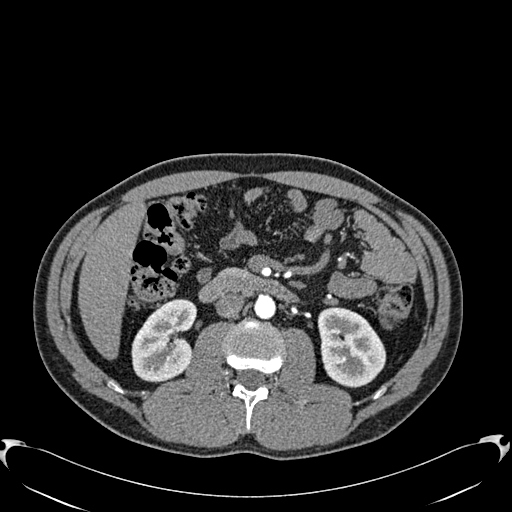
Arterial-phase contrast-enhanced abdominal CT, axial slice 329 of 512 (counted from the lowest slice); tube voltage 120 kVp, convolution kernel B30f; slices 1.00 mm thick, 0.771 mm per pixel.
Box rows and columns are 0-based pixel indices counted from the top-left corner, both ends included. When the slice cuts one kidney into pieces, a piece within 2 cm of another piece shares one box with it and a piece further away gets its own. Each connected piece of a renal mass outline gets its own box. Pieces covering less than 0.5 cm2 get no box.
Two boxes on this slice (two kidney boxes), listed by box centre from the image's left to its right. (1) Right kidney at rows 298–382, columns 131–197 (outlined area 4,021 px, about 23.9 cm2). (2) Left kidney at rows 307–387, columns 317–386 (outlined area 4,192 px, about 25.0 cm2). No renal mass is outlined on this slice.